Abdominal CT with intravenous contrast, arterial phase, axial plane, 100 kVp, kernel I30f. Slice 90/304 from the bottom of the scan; thickness 2.00 mm; pixel size 0.809 mm.
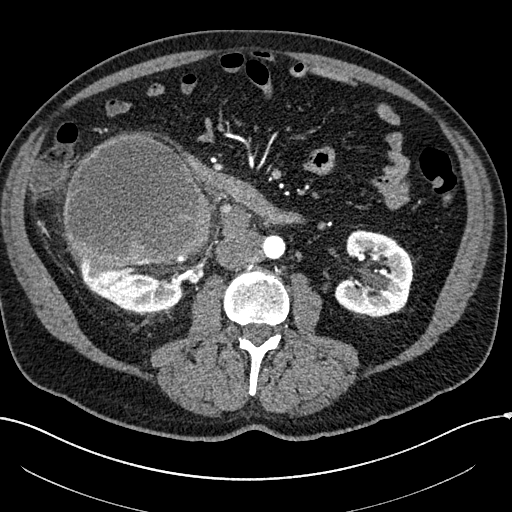
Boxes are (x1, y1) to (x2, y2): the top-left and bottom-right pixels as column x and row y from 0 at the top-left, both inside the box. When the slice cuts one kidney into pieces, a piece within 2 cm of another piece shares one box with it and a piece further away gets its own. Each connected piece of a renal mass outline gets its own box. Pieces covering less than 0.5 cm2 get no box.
Two kidney boxes and one renal mass box on this slice; by box centre, from the image's left to its right: (1) Right kidney from (70, 252) to (182, 312) (outlined area 3,885 px, about 25.4 cm2). (2) Right renal mass from (63, 132) to (211, 268) (outlined area 15,854 px, about 103.7 cm2). (3) Left kidney, box (334, 230) to (413, 317) (outlined area 4,982 px, about 32.6 cm2).